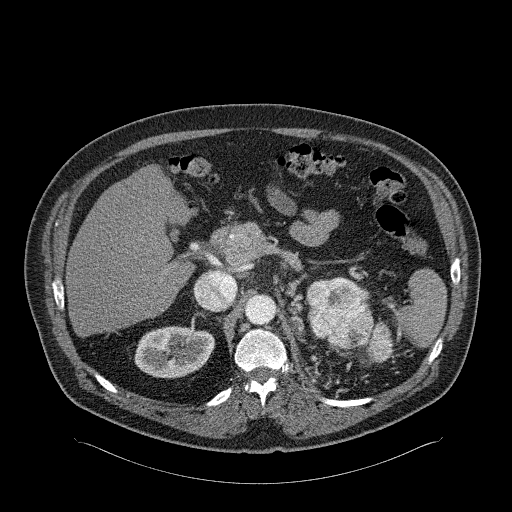
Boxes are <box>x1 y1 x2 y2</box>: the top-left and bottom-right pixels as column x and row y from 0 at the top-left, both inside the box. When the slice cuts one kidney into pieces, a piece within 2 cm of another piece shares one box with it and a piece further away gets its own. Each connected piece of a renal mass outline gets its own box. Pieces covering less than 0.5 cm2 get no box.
Slice 174/326 of a contrast-enhanced abdominal CT in the arterial phase, counting up from the lowest; pixel size 0.963 mm, slice thickness 2.00 mm. Two kidney boxes and two renal mass boxes on this slice; by box centre, from the image's left to its right: (1) Right kidney at <box>134 326 215 378</box> (outlined area 3,365 px, about 31.2 cm2). (2) At <box>305 279 324 308</box>: left kidney (outlined area 206 px, about 1.9 cm2). (3) At <box>308 277 374 354</box>: left renal mass (outlined area 3,829 px, about 35.5 cm2). (4) At <box>367 321 394 363</box>: left renal mass (outlined area 798 px, about 7.4 cm2); it sits over 1 cm from every kidney outline on this slice, but the same outlined renal mass comes within 1 cm of the kidney on another slice.
Acquired at 120 kVp and reconstructed with the B31f kernel.